Abdominal CT with intravenous contrast, axial plane, 120 kVp, kernel B30f. Slice 169/433 from the bottom of the scan; thickness 1.00 mm; pixel size 0.672 mm.
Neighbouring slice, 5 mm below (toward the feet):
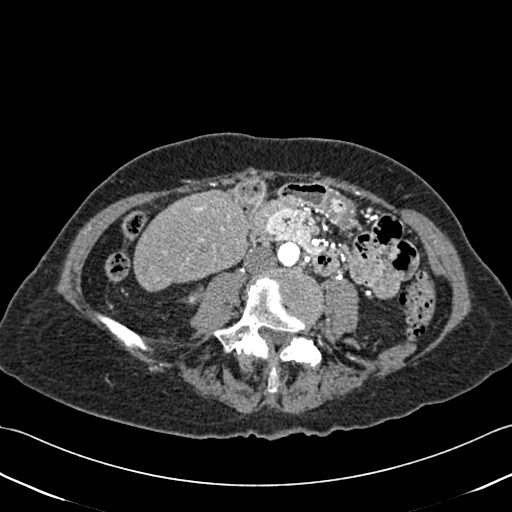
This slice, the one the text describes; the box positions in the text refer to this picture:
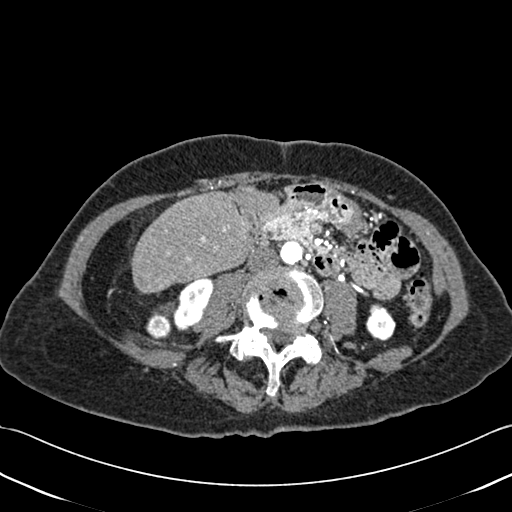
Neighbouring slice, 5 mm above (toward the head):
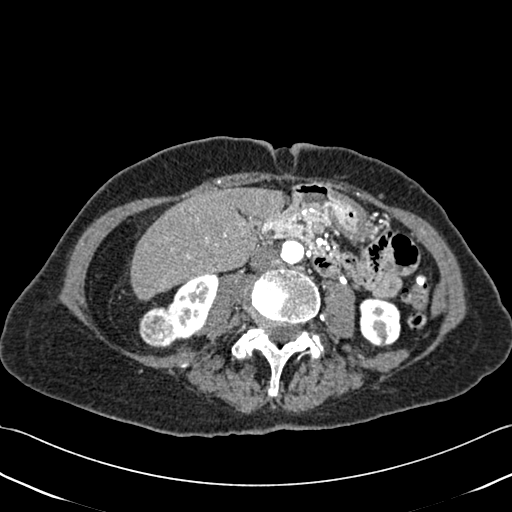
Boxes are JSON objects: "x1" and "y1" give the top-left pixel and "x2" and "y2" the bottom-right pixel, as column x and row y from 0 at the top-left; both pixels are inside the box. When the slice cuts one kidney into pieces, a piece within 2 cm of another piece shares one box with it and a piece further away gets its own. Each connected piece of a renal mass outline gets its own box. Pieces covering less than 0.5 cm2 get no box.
Boxed on this slice (two kidney boxes and one renal mass box), listed by box centre from the image's left to its right: (1) Box {"x1": 145, "y1": 314, "x2": 170, "y2": 338}: right renal mass (outlined area 512 px, about 2.3 cm2). (2) Right kidney, box {"x1": 172, "y1": 278, "x2": 212, "y2": 330} (outlined area 1,404 px, about 6.3 cm2). (3) Left kidney, box {"x1": 365, "y1": 304, "x2": 395, "y2": 341} (outlined area 828 px, about 3.7 cm2). This slice is near the end of the right renal mass toward the feet, so the slices 5 mm below and 5 mm above it are shown as well; the boxes refer to this slice only.